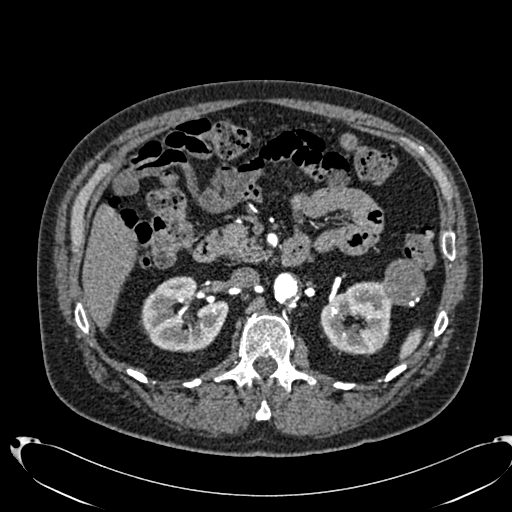
Abdominal CT with intravenous contrast, arterial phase, axial plane, 120 kVp, kernel B20f. Slice 440/553 from the bottom of the scan; thickness 1.00 mm; pixel size 0.773 mm.
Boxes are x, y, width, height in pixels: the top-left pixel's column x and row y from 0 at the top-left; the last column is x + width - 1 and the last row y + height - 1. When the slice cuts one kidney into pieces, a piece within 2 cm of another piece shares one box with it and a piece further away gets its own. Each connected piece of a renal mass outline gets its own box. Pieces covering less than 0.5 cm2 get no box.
Two kidney boxes and one renal mass box on this slice; by box centre, from the image's left to its right: (1) Box x 140, y 276, width 89, height 77: right kidney (outlined area 4,812 px, about 28.8 cm2). (2) Left kidney, box x 320, y 281, width 72, height 75 (outlined area 3,905 px, about 23.4 cm2). (3) Left renal mass, box x 382, y 259, width 44, height 49 (outlined area 1,680 px, about 10.0 cm2).